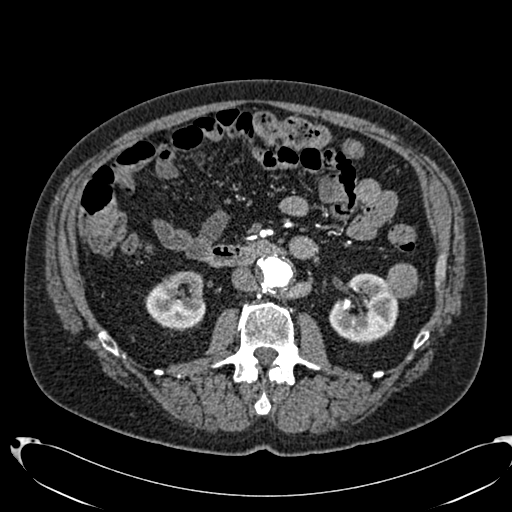
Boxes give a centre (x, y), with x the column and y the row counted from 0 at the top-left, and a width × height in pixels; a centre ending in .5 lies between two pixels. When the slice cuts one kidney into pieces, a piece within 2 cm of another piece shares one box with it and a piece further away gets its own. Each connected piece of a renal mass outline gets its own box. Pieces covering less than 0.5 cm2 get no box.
Arterial-phase contrast-enhanced abdominal CT, axial slice 384 of 553 (counted from the lowest slice); 1.00 mm thick, 0.773 mm per pixel. Boxed on this slice (two kidney boxes and one renal mass box), listed by box centre from the image's left to its right: (1) Right kidney in a box with centre (175, 301), 61 × 61 pixels (outlined area 2,745 px, about 16.4 cm2). (2) Left kidney in a box with centre (363, 308.5), 71 × 72 pixels (outlined area 3,486 px, about 20.9 cm2). (3) Left renal mass, box centre (401, 280.5), 33 × 36 pixels (outlined area 938 px, about 5.6 cm2).
Acquired at 120 kVp and reconstructed with the B20f kernel.